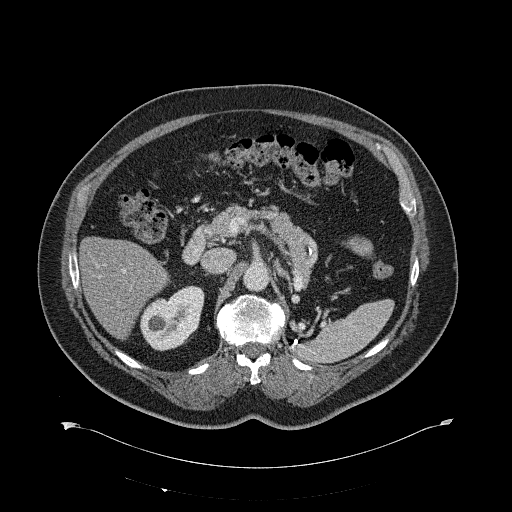
Abdominal CT with intravenous contrast, axial plane, 120 kVp, kernel B31f. Slice 406/734 from the bottom of the scan; thickness 2.00 mm; pixel size 0.971 mm.
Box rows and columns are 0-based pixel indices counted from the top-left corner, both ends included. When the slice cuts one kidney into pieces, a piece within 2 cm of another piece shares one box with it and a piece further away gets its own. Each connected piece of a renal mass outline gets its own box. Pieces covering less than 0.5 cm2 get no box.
Right kidney at rows 285–351, columns 140–204 (outlined area 2,963 px, about 27.9 cm2). No renal mass outline on this slice.